Arterial-phase contrast-enhanced abdominal CT, axial slice 232 of 527 (counted from the lowest slice); tube voltage 120 kVp, convolution kernel I30f; slices 1.00 mm thick, 0.859 mm per pixel.
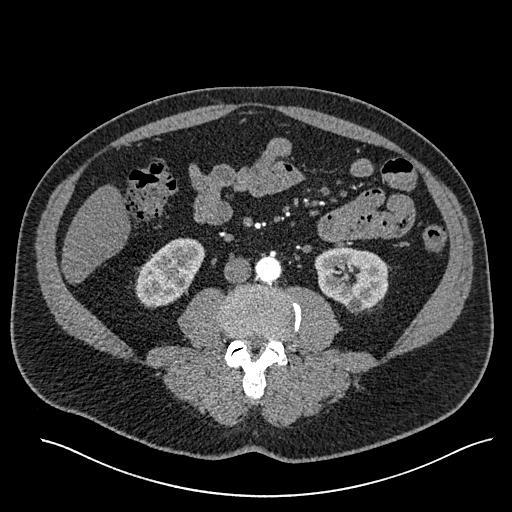
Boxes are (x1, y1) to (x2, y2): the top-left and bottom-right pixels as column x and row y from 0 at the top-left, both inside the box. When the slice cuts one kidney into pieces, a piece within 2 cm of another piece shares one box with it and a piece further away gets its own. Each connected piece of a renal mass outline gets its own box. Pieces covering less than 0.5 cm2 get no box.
Two boxes on this slice (two kidney boxes), listed by box centre from the image's left to its right. (1) Right kidney from (135, 238) to (205, 307) (outlined area 3,270 px, about 24.1 cm2). (2) Box (314, 246) to (390, 314): left kidney (outlined area 3,752 px, about 27.7 cm2). No renal mass is outlined on this slice.